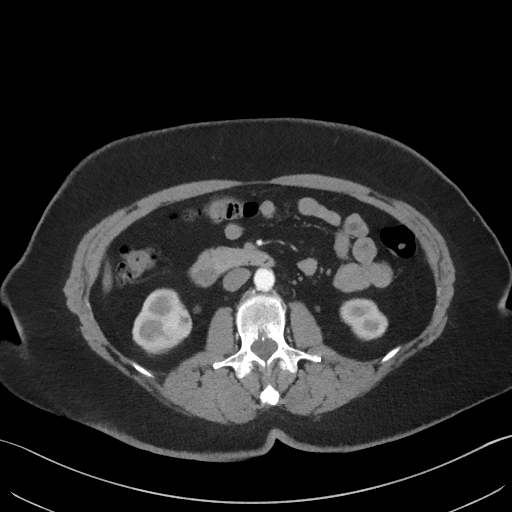
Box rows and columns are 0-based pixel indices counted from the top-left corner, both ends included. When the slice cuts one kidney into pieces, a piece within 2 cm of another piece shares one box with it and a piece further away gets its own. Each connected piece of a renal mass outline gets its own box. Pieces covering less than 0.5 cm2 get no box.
Slice 21/69 of a contrast-enhanced abdominal CT, counting up from the lowest; pixel size 0.736 mm, slice thickness 3.00 mm. Two kidney boxes and one renal mass box on this slice; by box centre, from the image's left to its right: (1) Right kidney, box rows 288–352, columns 132–185 (outlined area 2,084 px, about 11.3 cm2). (2) Right renal mass, box rows 308–339, columns 162–192 (outlined area 786 px, about 4.3 cm2). (3) Left kidney at rows 298–340, columns 339–388 (outlined area 1,487 px, about 8.1 cm2).
Acquired at 140 kVp and reconstructed with the I41f kernel.